Arterial-phase contrast-enhanced abdominal CT, axial slice 533 of 634 (counted from the lowest slice); tube voltage 120 kVp, convolution kernel B20f; slices 1.00 mm thick, 0.838 mm per pixel.
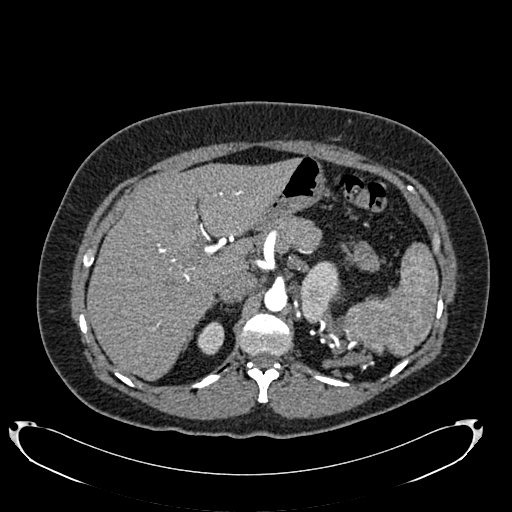
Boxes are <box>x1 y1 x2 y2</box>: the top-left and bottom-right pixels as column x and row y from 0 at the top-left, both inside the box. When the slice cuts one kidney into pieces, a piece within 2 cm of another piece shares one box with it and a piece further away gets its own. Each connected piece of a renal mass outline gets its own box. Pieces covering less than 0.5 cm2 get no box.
Two boxes on this slice (two kidney boxes), listed by box centre from the image's left to its right. (1) Right kidney: <box>197 321 224 354</box> (outlined area 695 px, about 4.9 cm2). (2) Left kidney: <box>300 261 340 323</box> (outlined area 1,836 px, about 12.9 cm2). No renal mass outline on this slice.